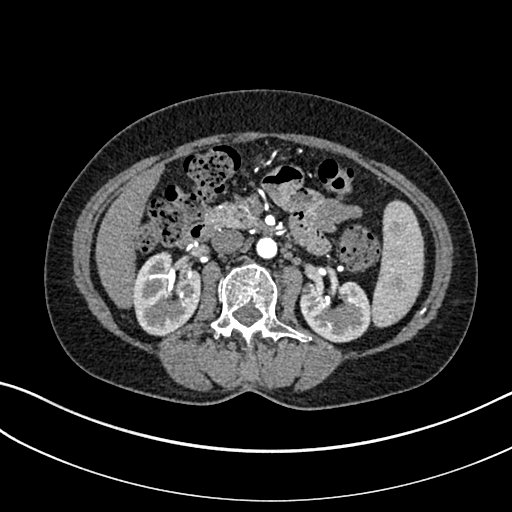
Axial slice 162 of 325 of a contrast-enhanced abdominal CT in the arterial phase (slice 1 is the lowest), 100 kVp, kernel I30f; 1.00 mm slice thickness and 0.703 mm pixels.
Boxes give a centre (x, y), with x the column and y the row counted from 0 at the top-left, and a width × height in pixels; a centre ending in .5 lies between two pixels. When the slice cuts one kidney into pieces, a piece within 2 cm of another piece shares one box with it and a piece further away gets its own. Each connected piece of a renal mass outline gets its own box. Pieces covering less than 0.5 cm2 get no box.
Two boxes on this slice (two kidney boxes), listed by box centre from the image's left to its right. (1) Right kidney, box centre (166.5, 293.5), 70 × 86 pixels (outlined area 4,414 px, about 21.8 cm2). (2) Left kidney in a box with centre (335, 311), 71 × 63 pixels (outlined area 3,507 px, about 17.3 cm2). This slice carries no renal mass outline.